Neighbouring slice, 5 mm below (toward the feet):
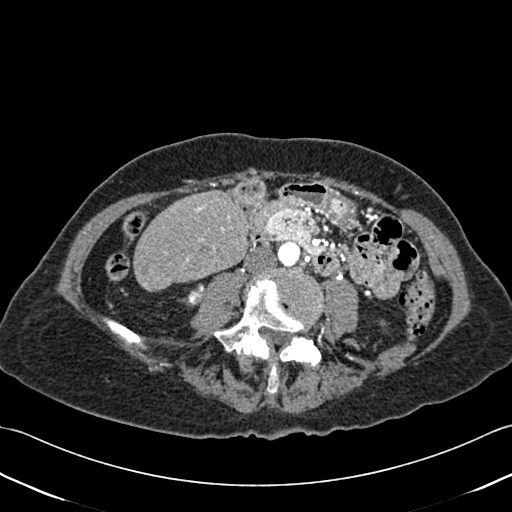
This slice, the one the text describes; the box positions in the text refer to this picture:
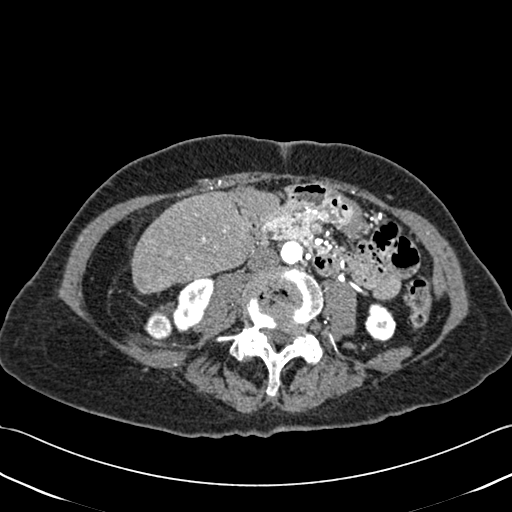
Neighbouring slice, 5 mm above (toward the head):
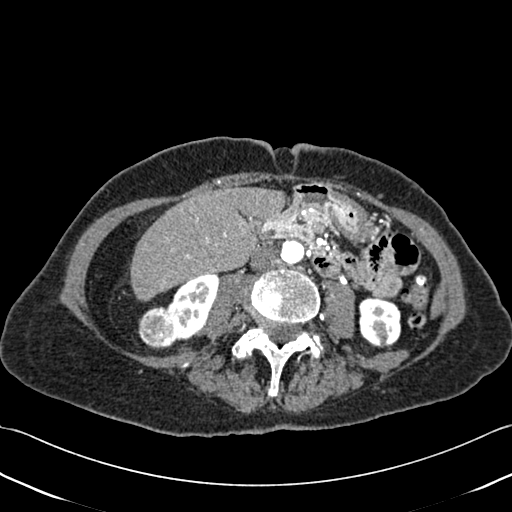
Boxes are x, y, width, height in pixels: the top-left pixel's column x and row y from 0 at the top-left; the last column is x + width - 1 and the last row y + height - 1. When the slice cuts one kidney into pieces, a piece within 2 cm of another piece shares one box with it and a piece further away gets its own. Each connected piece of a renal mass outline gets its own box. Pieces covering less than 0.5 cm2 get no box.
This is axial slice 170 of 433 (slice 1 is the lowest) of an abdominal CT with contrast; each pixel is 0.672 mm and the slice is 1.00 mm thick. Two kidney boxes and one renal mass box on this slice; by box centre, from the image's left to its right: (1) Right renal mass, box x 144, y 313, width 29, height 28 (outlined area 603 px, about 2.7 cm2). (2) Box x 172, y 277, width 42, height 56: right kidney (outlined area 1,513 px, about 6.8 cm2). (3) Left kidney at x 364, y 303, width 33, height 39 (outlined area 926 px, about 4.2 cm2). This slice is near the end of the right renal mass toward the feet, so the slices 5 mm below and 5 mm above it are shown as well; the boxes refer to this slice only.
Tube voltage 120 kVp; convolution kernel B30f.